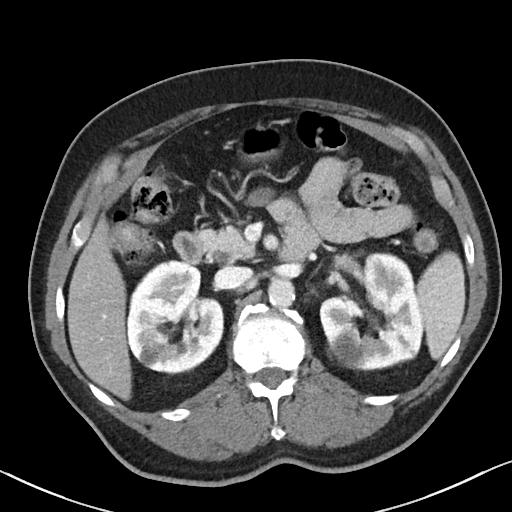
Abdominal CT with intravenous contrast, axial plane, 100 kVp, kernel I40f. Slice 62/90 from the bottom of the scan; thickness 5.00 mm; pixel size 0.684 mm.
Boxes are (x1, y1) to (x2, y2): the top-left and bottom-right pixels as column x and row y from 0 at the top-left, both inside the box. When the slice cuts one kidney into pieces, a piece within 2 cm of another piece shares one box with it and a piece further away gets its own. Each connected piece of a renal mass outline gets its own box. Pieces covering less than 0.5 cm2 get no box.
Two boxes on this slice (two kidney boxes), listed by box centre from the image's left to its right. (1) Right kidney from (127, 259) to (223, 374) (outlined area 8,356 px, about 39.0 cm2). (2) Box (319, 252) to (422, 371): left kidney (outlined area 8,874 px, about 41.5 cm2). No renal mass is outlined on this slice.